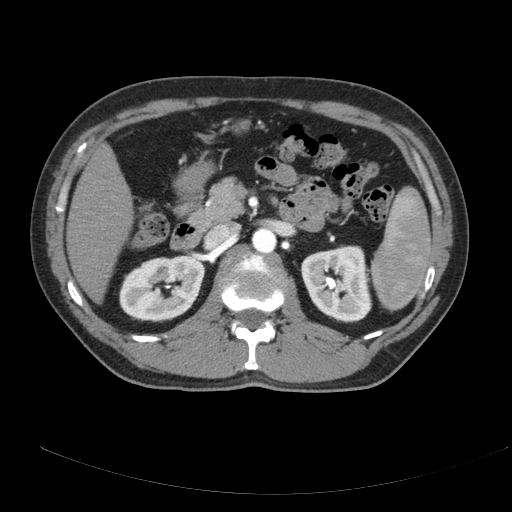
One axial slice (116 of 178, counting up from the lowest) of a contrast-enhanced abdominal CT acquired with 120 kVp, kernel B; each pixel is 0.818 mm and the slice is 3.00 mm thick.
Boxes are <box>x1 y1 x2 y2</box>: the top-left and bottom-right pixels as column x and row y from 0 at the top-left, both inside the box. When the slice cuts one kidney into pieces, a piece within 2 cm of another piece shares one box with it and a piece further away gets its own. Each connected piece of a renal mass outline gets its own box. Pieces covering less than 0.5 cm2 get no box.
Boxed on this slice (two kidney boxes), listed by box centre from the image's left to its right: (1) At <box>119 255 205 322</box>: right kidney (outlined area 4,447 px, about 29.8 cm2). (2) Left kidney at <box>301 245 372 322</box> (outlined area 4,274 px, about 28.6 cm2). No renal mass is outlined on this slice.